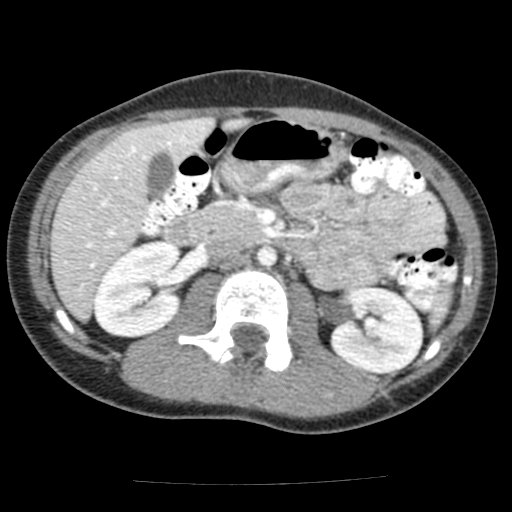
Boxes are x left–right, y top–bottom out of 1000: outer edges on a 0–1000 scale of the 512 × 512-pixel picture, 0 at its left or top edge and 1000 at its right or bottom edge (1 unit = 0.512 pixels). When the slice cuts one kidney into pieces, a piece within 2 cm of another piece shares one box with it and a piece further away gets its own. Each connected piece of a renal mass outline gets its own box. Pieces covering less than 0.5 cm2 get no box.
Arterial-phase contrast-enhanced abdominal CT, axial slice 81 of 117 (counted from the lowest slice); 3.00 mm thick, 0.518 mm per pixel. Boxed on this slice (two kidney boxes), listed by box centre from the image's left to its right: (1) Right kidney, box x 182–357, y 467–662 out of 1000 (outlined area 6,895 px, about 18.5 cm2). (2) Left kidney, box x 645–830, y 557–732 out of 1000 (outlined area 6,443 px, about 17.3 cm2). No renal mass is outlined on this slice.
Scan settings: 120 kVp, FC12 reconstruction kernel.